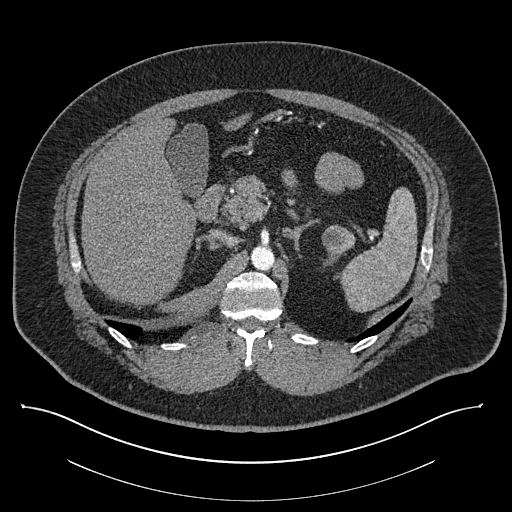
One axial slice (569 of 787, counting up from the lowest) of a contrast-enhanced abdominal CT acquired with 140 kVp, kernel I30f; each pixel is 0.910 mm and the slice is 1.00 mm thick.
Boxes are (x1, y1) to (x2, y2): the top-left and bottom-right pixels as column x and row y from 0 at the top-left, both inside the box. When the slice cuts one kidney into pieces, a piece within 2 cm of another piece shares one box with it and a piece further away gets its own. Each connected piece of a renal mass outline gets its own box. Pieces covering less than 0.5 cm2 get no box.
Two boxes on this slice (one kidney box and one renal mass box), listed by box centre from the image's left to its right. (1) Left kidney, box (324, 250) to (344, 265) (outlined area 175 px, about 1.4 cm2). (2) Left renal mass, box (322, 224) to (355, 252) (outlined area 725 px, about 6.0 cm2).